Arterial-phase contrast-enhanced abdominal CT, axial slice 374 of 673 (counted from the lowest slice); tube voltage 140 kVp, convolution kernel I30f; slices 1.00 mm thick, 0.957 mm per pixel.
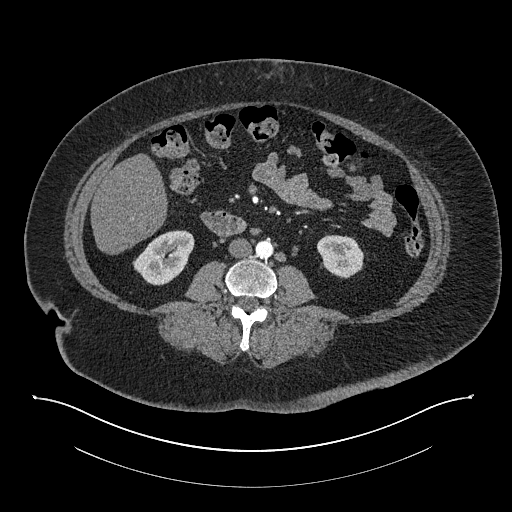
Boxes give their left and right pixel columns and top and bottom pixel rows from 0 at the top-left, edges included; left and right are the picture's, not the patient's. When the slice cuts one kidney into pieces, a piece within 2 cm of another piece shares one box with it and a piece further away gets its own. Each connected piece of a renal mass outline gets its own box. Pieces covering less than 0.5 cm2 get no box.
Two boxes on this slice (two kidney boxes), listed by box centre from the image's left to its right. (1) Right kidney, the box with left 132, top 230, right 194, bottom 285 (outlined area 2,303 px, about 21.1 cm2). (2) Left kidney, the box with left 317, top 235, right 363, bottom 278 (outlined area 1,575 px, about 14.4 cm2). No renal mass is outlined on this slice.